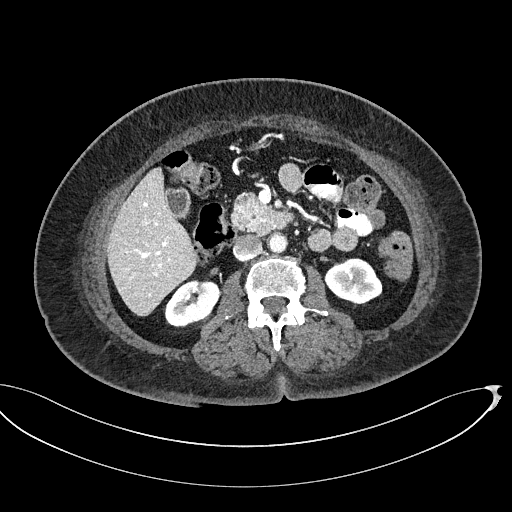
One axial slice (282 of 439, counting up from the lowest) of a contrast-enhanced abdominal CT acquired with 100 kVp, kernel I40f; each pixel is 0.850 mm and the slice is 2.00 mm thick.
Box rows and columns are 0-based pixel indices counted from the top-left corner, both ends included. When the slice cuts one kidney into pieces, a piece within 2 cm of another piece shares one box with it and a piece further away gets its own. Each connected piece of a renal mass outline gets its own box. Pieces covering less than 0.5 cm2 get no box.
Boxed on this slice (two kidney boxes), listed by box centre from the image's left to its right: (1) Box rows 279–327, columns 164–220: right kidney (outlined area 1,975 px, about 14.3 cm2). (2) Left kidney at rows 258–304, columns 324–382 (outlined area 1,987 px, about 14.3 cm2). This slice carries no renal mass outline.